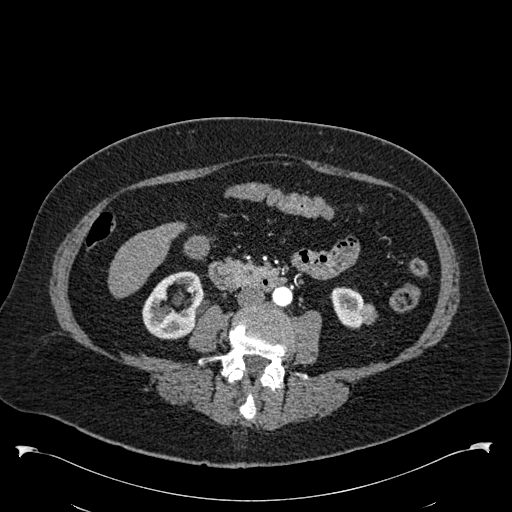
Abdominal CT with intravenous contrast, arterial phase, axial plane, 120 kVp, kernel B30f. Slice 245/538 from the bottom of the scan; thickness 1.00 mm; pixel size 0.811 mm.
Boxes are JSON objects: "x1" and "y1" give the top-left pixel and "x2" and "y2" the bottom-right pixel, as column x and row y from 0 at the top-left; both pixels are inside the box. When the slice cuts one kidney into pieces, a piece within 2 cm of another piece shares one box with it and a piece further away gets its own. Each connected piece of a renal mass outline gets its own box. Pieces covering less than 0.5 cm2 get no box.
Two kidney boxes and one renal mass box on this slice; by box centre, from the image's left to its right: (1) Right kidney, box {"x1": 142, "y1": 271, "x2": 202, "y2": 339} (outlined area 2,817 px, about 18.5 cm2). (2) Box {"x1": 330, "y1": 287, "x2": 363, "y2": 328}: left kidney (outlined area 1,047 px, about 6.9 cm2). (3) Left renal mass at {"x1": 360, "y1": 302, "x2": 377, "y2": 324} (outlined area 292 px, about 1.9 cm2).